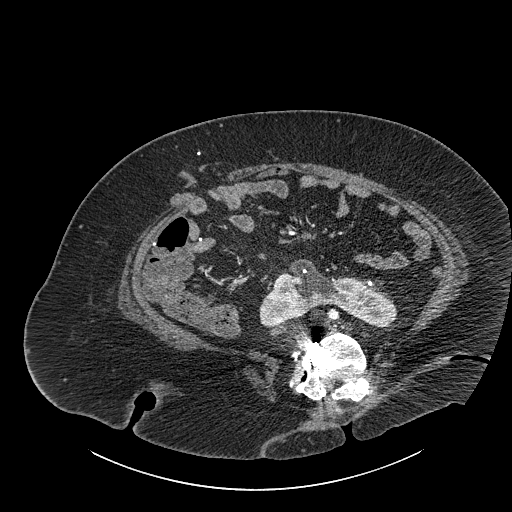
One axial slice (452 of 834, counting up from the lowest) of a contrast-enhanced abdominal CT acquired with 140 kVp, kernel I30f; each pixel is 0.977 mm and the slice is 1.00 mm thick.
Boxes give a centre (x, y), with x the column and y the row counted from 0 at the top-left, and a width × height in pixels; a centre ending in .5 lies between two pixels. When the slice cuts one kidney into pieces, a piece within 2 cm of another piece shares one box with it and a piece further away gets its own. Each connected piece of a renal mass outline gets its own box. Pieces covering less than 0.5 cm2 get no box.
Kidney crossing the body midline, box centre (328, 293.5), 139 × 70 pixels (outlined area 5,401 px, about 51.5 cm2). No renal mass outline on this slice.